Axial slice 53 of 285 of a contrast-enhanced abdominal CT in the arterial phase (slice 1 is the lowest), 120 kVp, kernel B31f; 2.00 mm slice thickness and 0.762 mm pixels.
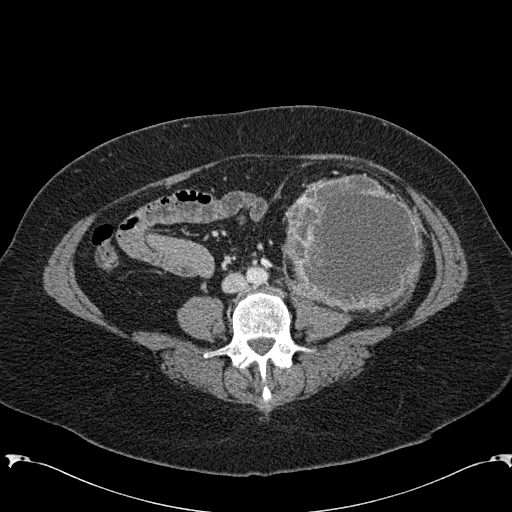
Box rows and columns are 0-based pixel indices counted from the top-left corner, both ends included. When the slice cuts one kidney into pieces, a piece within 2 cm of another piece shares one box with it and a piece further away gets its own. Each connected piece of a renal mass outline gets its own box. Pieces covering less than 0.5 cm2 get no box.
Left renal mass, box rows 174–313, columns 284–423 (outlined area 15,343 px, about 89.0 cm2); no kidney is outlined on this slice, but the same outlined renal mass comes within 1 cm of the kidney on another slice.